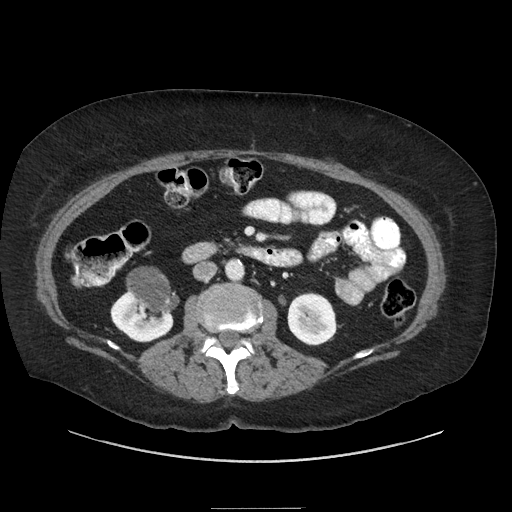
Abdominal CT with intravenous contrast, axial plane, 120 kVp, kernel STANDARD. Slice 117/186 from the bottom of the scan; thickness 2.50 mm; pixel size 0.850 mm.
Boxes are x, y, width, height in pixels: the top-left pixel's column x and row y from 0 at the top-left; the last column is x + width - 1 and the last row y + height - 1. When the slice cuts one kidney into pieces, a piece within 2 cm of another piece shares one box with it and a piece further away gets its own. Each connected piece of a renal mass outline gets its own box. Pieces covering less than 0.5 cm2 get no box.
Boxed on this slice (two kidney boxes and one renal mass box), listed by box centre from the image's left to its right: (1) Box x 110, y 292, width 64, height 51: right kidney (outlined area 1,910 px, about 13.8 cm2). (2) Right renal mass, box x 126, y 266, width 54, height 48 (outlined area 1,782 px, about 12.9 cm2). (3) Left kidney, box x 287, y 292, width 52, height 54 (outlined area 2,138 px, about 15.4 cm2).